Arterial-phase contrast-enhanced abdominal CT, axial slice 447 of 538 (counted from the lowest slice); tube voltage 120 kVp, convolution kernel B30f; slices 1.00 mm thick, 0.811 mm per pixel.
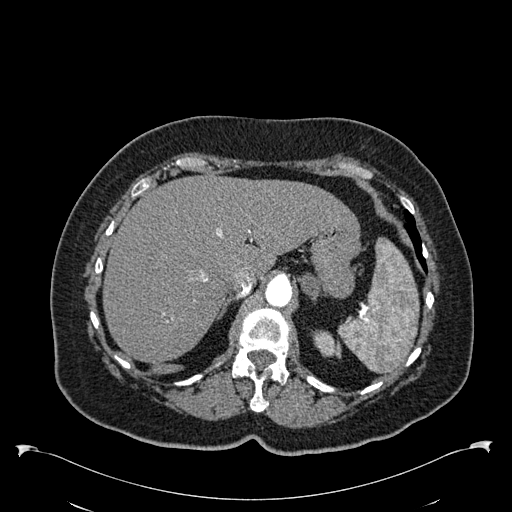
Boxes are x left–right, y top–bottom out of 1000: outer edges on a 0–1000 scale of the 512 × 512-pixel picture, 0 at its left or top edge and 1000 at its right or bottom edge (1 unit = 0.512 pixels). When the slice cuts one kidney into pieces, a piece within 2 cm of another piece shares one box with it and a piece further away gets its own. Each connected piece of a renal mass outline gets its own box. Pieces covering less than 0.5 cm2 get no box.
Left kidney at x 609–668, y 645–701 out of 1000 (outlined area 571 px, about 3.8 cm2). This slice carries no renal mass outline.